Axial slice 422 of 735 of a contrast-enhanced abdominal CT in the arterial phase (slice 1 is the lowest), 120 kVp, kernel I30f; 1.00 mm slice thickness and 0.789 mm pixels.
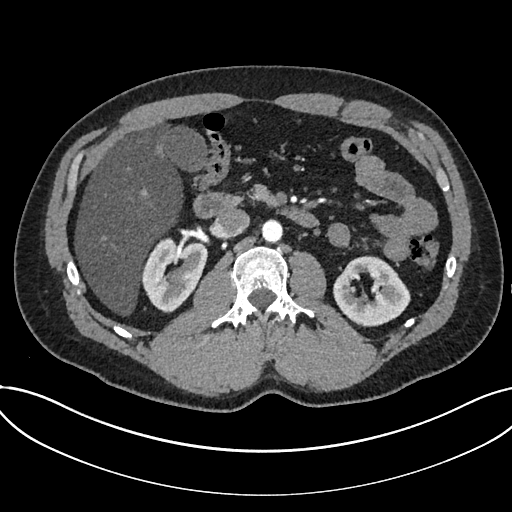
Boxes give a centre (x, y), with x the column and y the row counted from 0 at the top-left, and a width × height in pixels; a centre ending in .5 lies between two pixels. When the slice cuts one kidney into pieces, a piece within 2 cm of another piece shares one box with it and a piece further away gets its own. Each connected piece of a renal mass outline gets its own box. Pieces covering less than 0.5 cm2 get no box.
Two kidney boxes on this slice; by box centre, from the image's left to its right: (1) Kidney in a box with centre (174.5, 274.5), 68 × 76 pixels (outlined area 3,510 px, about 21.9 cm2). (2) Kidney in a box with centre (371.5, 290.5), 78 × 72 pixels (outlined area 3,754 px, about 23.4 cm2). No renal mass is outlined on this slice.